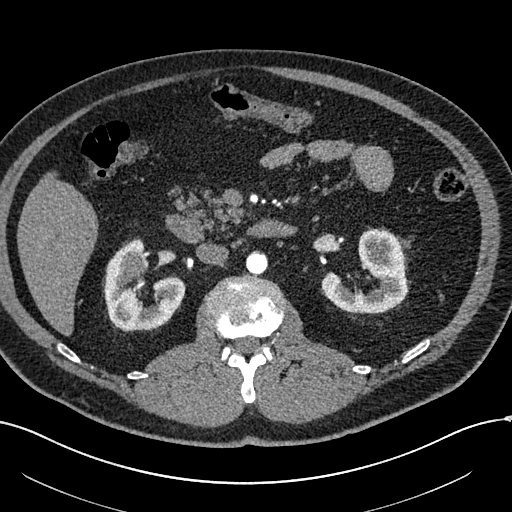
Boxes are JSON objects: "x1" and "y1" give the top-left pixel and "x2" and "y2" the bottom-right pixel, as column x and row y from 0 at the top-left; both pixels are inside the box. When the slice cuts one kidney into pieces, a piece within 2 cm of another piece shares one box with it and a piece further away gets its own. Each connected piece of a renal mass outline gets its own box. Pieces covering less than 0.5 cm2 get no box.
Arterial-phase contrast-enhanced abdominal CT, axial slice 342 of 602 (counted from the lowest slice); 1.00 mm thick, 0.799 mm per pixel. Boxed on this slice (two kidney boxes and one renal mass box), listed by box centre from the image's left to its right: (1) Right renal mass, box {"x1": 119, "y1": 251, "x2": 147, "y2": 280} (outlined area 616 px, about 3.9 cm2). (2) Box {"x1": 103, "y1": 237, "x2": 185, "y2": 331}: right kidney (outlined area 4,247 px, about 27.1 cm2). (3) Box {"x1": 321, "y1": 228, "x2": 408, "y2": 313}: left kidney (outlined area 4,400 px, about 28.1 cm2).
Scan settings: 120 kVp, I30f reconstruction kernel.